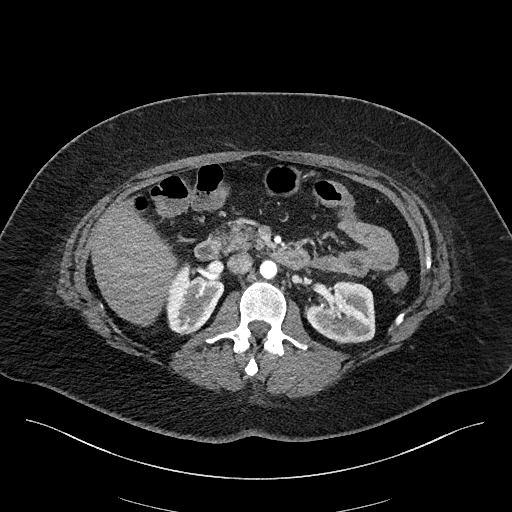
Arterial-phase contrast-enhanced abdominal CT, axial slice 112 of 270 (counted from the lowest slice); tube voltage 100 kVp, convolution kernel I40f; slices 2.00 mm thick, 0.855 mm per pixel.
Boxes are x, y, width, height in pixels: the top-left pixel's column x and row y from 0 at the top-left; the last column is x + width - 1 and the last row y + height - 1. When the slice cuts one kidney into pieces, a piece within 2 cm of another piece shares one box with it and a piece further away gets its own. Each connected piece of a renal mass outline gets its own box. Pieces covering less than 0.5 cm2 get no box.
Boxed on this slice (two kidney boxes), listed by box centre from the image's left to its right: (1) Right kidney at x 166, y 262, width 59, height 74 (outlined area 2,925 px, about 21.4 cm2). (2) Left kidney, box x 305, y 280, width 71, height 64 (outlined area 3,404 px, about 24.9 cm2). This slice carries no renal mass outline.